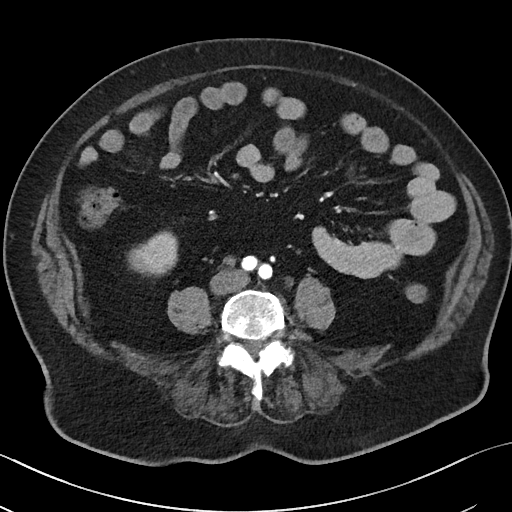
Axial slice 7 of 50 of a contrast-enhanced abdominal CT (slice 1 is the lowest), 100 kVp, kernel I40f; 5.00 mm slice thickness and 0.723 mm pixels.
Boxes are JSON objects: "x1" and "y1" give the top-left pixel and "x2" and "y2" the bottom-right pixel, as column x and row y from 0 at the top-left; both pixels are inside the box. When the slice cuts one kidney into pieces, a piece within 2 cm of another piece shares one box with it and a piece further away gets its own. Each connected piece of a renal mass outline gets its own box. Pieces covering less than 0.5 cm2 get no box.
Right kidney, box {"x1": 128, "y1": 231, "x2": 177, "y2": 276} (outlined area 1,665 px, about 8.7 cm2). This slice carries no renal mass outline.